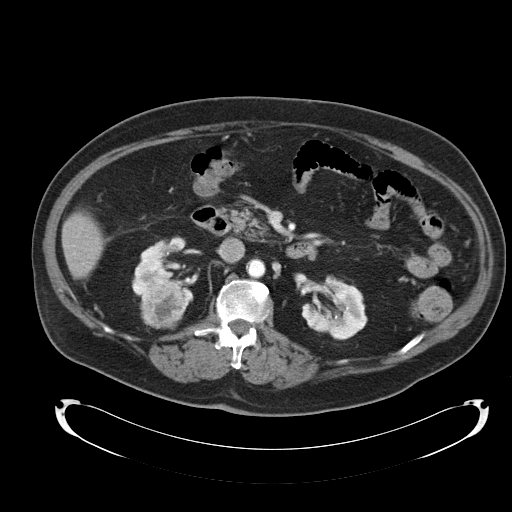
One axial slice (63 of 92, counting up from the lowest) of a contrast-enhanced abdominal CT acquired with 120 kVp, kernel B30f; each pixel is 0.918 mm and the slice is 5.00 mm thick.
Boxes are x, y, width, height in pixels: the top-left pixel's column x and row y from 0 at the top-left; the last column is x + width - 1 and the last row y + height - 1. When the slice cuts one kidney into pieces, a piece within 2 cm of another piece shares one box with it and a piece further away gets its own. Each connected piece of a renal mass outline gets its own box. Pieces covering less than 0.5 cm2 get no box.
Boxed on this slice (two kidney boxes and one renal mass box), listed by box centre from the image's left to its right: (1) Box x 131, y 236, width 57, height 77: right kidney (outlined area 2,397 px, about 20.2 cm2). (2) Right renal mass, box x 139, y 286, width 45, height 43 (outlined area 1,589 px, about 13.4 cm2). (3) Left kidney, box x 301, y 275, width 67, height 66 (outlined area 2,904 px, about 24.5 cm2).